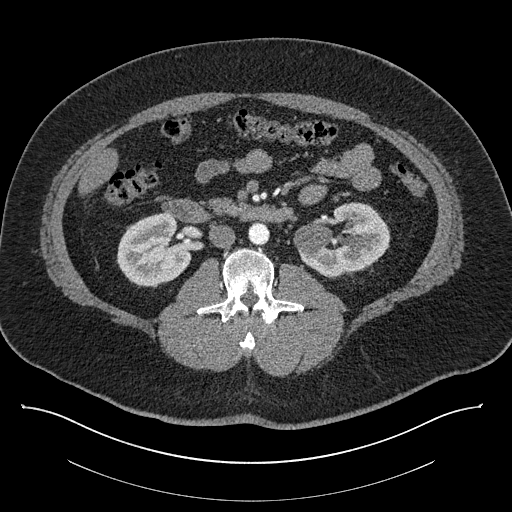
Contrast-enhanced abdominal CT, axial slice 463 of 787 (counted from the lowest slice); tube voltage 140 kVp, convolution kernel I30f; slices 1.00 mm thick, 0.910 mm per pixel.
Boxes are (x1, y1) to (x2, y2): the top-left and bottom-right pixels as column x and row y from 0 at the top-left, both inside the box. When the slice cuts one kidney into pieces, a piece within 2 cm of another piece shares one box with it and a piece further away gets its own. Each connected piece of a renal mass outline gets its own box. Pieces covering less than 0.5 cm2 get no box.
Two boxes on this slice (two kidney boxes), listed by box centre from the image's left to its right. (1) Right kidney, box (116, 212) to (191, 287) (outlined area 4,186 px, about 34.7 cm2). (2) Box (293, 202) to (390, 278): left kidney (outlined area 5,155 px, about 42.7 cm2). This slice carries no renal mass outline.